Arterial-phase contrast-enhanced abdominal CT, axial slice 42 of 53 (counted from the lowest slice); tube voltage 120 kVp, convolution kernel B30f; slices 3.00 mm thick, 0.547 mm per pixel.
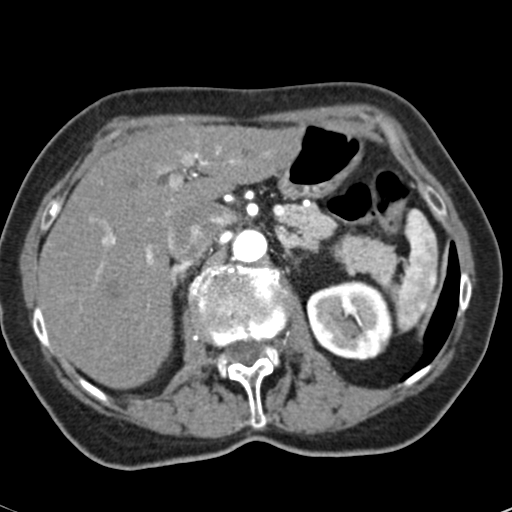
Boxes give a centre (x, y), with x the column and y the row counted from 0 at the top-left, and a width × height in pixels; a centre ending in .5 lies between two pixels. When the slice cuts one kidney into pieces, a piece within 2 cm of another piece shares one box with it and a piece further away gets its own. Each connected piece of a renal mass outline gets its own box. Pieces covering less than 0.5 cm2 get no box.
Box centre (349, 320), 87 × 81 pixels: left kidney (outlined area 5,472 px, about 16.4 cm2). This slice carries no renal mass outline.